One axial slice (24 of 75, counting up from the lowest) of a contrast-enhanced abdominal CT acquired with 140 kVp, kernel B30f; each pixel is 0.875 mm and the slice is 3.00 mm thick.
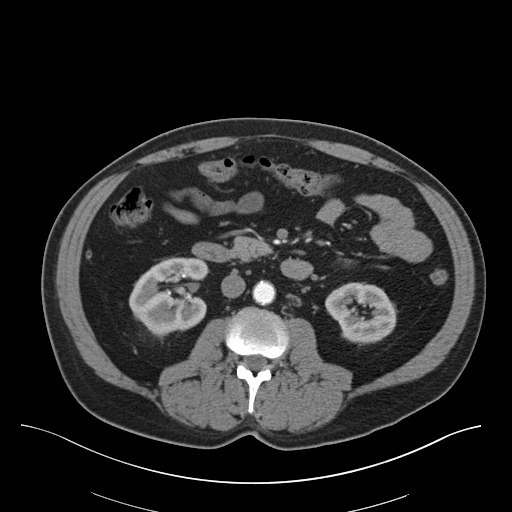
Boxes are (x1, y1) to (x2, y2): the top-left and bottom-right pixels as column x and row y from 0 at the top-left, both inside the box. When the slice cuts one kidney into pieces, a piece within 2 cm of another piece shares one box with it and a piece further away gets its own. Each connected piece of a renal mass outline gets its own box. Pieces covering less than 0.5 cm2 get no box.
Boxed on this slice (two kidney boxes), listed by box centre from the image's left to its right: (1) Box (129, 257) to (209, 339): right kidney (outlined area 4,651 px, about 35.6 cm2). (2) Box (325, 282) to (397, 345): left kidney (outlined area 3,184 px, about 24.4 cm2). No renal mass outline on this slice.